Arterial-phase contrast-enhanced abdominal CT, axial slice 78 of 304 (counted from the lowest slice); tube voltage 100 kVp, convolution kernel I30f; slices 2.00 mm thick, 0.809 mm per pixel.
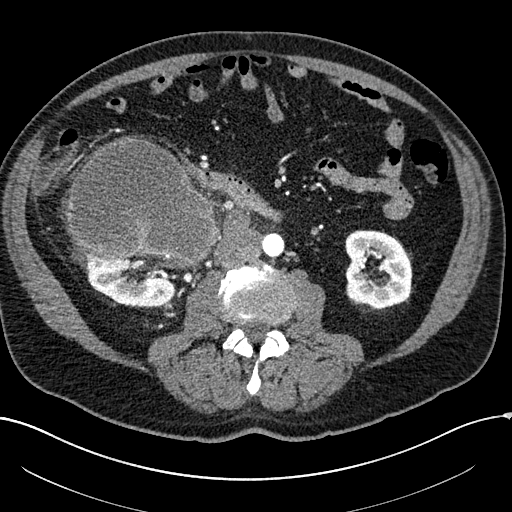
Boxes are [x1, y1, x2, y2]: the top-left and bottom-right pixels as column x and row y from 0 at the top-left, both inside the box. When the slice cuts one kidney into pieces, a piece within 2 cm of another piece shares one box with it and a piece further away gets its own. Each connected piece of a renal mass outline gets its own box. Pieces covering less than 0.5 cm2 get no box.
Boxed on this slice (two kidney boxes and one renal mass box), listed by box centre from the image's left to its right: (1) Right kidney at [86, 254, 180, 307] (outlined area 3,740 px, about 24.5 cm2). (2) Right renal mass at [67, 138, 222, 268] (outlined area 14,641 px, about 95.7 cm2). (3) Box [344, 230, 412, 308]: left kidney (outlined area 4,301 px, about 28.1 cm2).